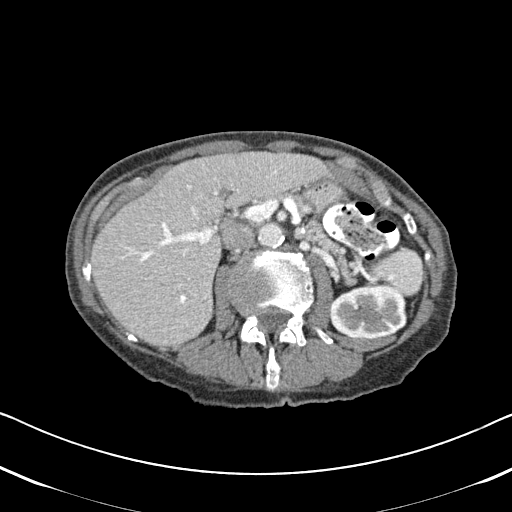
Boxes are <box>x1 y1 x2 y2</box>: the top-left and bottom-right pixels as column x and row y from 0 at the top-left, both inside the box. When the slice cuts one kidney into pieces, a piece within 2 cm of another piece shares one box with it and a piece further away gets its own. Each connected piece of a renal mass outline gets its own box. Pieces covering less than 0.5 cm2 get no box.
Arterial-phase contrast-enhanced abdominal CT, axial slice 302 of 620 (counted from the lowest slice); 2.00 mm thick, 0.637 mm per pixel. Left kidney: <box>330 285 407 339</box> (outlined area 3,526 px, about 14.3 cm2). This slice carries no renal mass outline.
Acquired at 120 kVp and reconstructed with the B31f kernel.